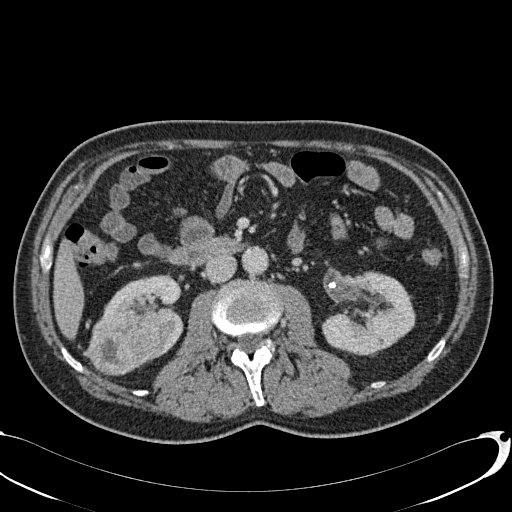
Contrast-enhanced abdominal CT, axial slice 34 of 113 (counted from the lowest slice); tube voltage 120 kVp, convolution kernel B31f; slices 2.00 mm thick, 0.742 mm per pixel.
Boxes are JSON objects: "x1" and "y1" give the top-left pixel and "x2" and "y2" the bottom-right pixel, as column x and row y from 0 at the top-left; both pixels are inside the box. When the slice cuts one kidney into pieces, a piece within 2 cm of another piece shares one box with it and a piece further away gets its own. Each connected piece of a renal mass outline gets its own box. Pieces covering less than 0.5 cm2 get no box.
Three boxes on this slice (two kidney boxes and one renal mass box), listed by box centre from the image's left to its right. (1) Right renal mass at {"x1": 87, "y1": 311, "x2": 164, "y2": 375} (outlined area 3,857 px, about 21.2 cm2). (2) Box {"x1": 103, "y1": 274, "x2": 183, "y2": 361}: right kidney (outlined area 3,006 px, about 16.6 cm2). (3) Box {"x1": 321, "y1": 271, "x2": 415, "y2": 355}: left kidney (outlined area 5,374 px, about 29.6 cm2).